Contrast-enhanced abdominal CT, axial slice 31 of 94 (counted from the lowest slice); tube voltage 120 kVp, convolution kernel B41f; slices 3.00 mm thick, 0.977 mm per pixel.
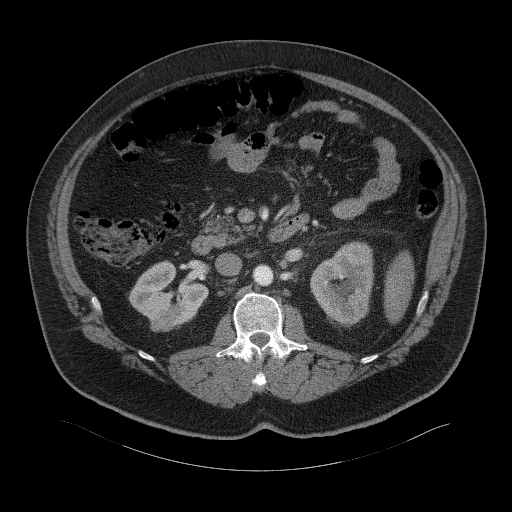
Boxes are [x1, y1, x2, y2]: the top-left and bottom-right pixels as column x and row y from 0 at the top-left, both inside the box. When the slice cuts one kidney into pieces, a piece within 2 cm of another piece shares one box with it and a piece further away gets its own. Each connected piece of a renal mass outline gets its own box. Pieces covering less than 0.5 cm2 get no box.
Boxed on this slice (two kidney boxes and one renal mass box), listed by box centre from the image's left to its right: (1) Right renal mass, box [150, 310, 174, 331] (outlined area 443 px, about 4.2 cm2). (2) Right kidney, box [129, 260, 208, 326] (outlined area 3,138 px, about 29.9 cm2). (3) Box [310, 241, 373, 327]: left kidney (outlined area 4,018 px, about 38.3 cm2).